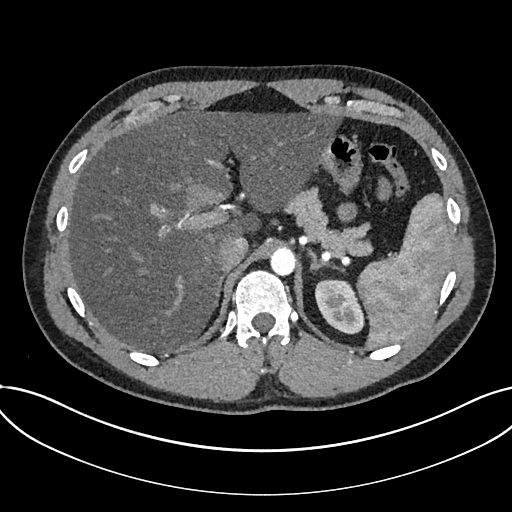
Arterial-phase contrast-enhanced abdominal CT, axial slice 567 of 735 (counted from the lowest slice); tube voltage 120 kVp, convolution kernel I30f; slices 1.00 mm thick, 0.789 mm per pixel.
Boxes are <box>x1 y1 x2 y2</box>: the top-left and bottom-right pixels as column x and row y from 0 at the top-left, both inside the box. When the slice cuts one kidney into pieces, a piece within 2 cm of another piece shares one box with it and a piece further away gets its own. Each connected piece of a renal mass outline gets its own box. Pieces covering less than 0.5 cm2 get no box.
Kidney: <box>315 278 364 334</box> (outlined area 2,030 px, about 12.6 cm2). No renal mass outline on this slice.